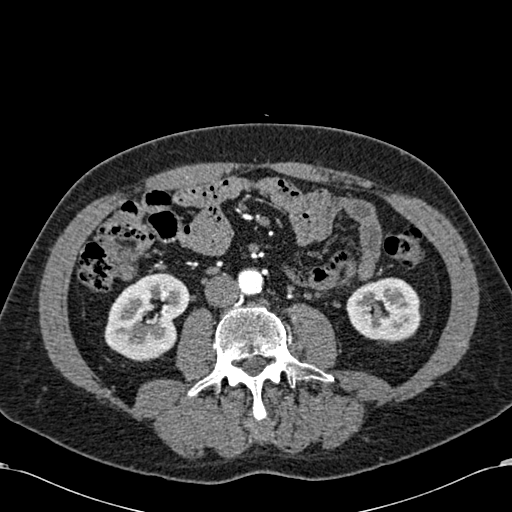
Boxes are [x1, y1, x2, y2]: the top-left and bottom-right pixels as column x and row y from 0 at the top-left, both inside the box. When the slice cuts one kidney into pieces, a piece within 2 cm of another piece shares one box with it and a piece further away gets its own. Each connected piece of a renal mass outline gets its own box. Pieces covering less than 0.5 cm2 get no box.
This is axial slice 264 of 581 (slice 1 is the lowest) of an arterial-phase abdominal CT with contrast; each pixel is 0.713 mm and the slice is 1.00 mm thick. Boxed on this slice (two kidney boxes), listed by box centre from the image's left to its right: (1) Right kidney, box [104, 272, 190, 361] (outlined area 5,375 px, about 27.3 cm2). (2) Box [346, 277, 420, 342]: left kidney (outlined area 3,858 px, about 19.6 cm2). This slice carries no renal mass outline.
Tube voltage 120 kVp; convolution kernel B30f.